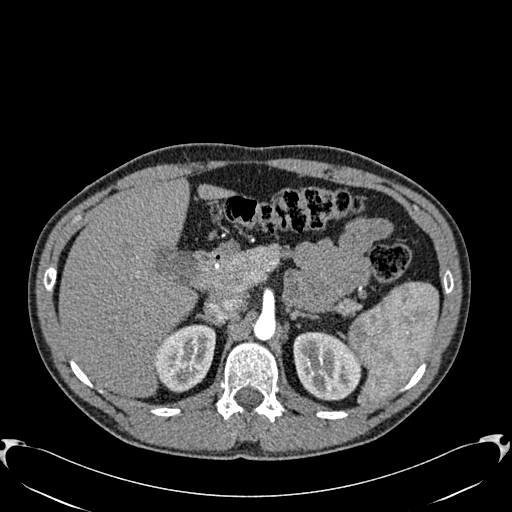
One axial slice (419 of 512, counting up from the lowest) of an arterial-phase abdominal CT acquired with 120 kVp, kernel B30f; each pixel is 0.771 mm and the slice is 1.00 mm thick.
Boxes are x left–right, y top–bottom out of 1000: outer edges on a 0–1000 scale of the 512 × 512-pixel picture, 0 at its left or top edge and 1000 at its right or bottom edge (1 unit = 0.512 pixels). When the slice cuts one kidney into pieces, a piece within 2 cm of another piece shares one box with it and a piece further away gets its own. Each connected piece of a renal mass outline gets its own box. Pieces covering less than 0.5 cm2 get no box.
Two boxes on this slice (two kidney boxes), listed by box centre from the image's left to its right. (1) Box x 301–422, y 633–768 out of 1000: right kidney (outlined area 3,163 px, about 18.8 cm2). (2) Left kidney at x 572–707, y 648–783 out of 1000 (outlined area 3,670 px, about 21.8 cm2). No renal mass is outlined on this slice.